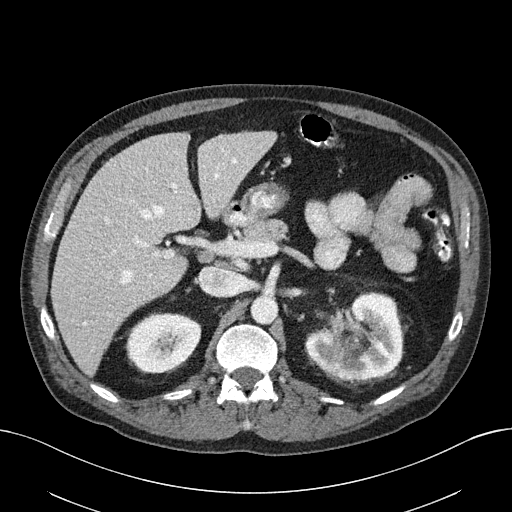
Axial slice 122 of 163 of a contrast-enhanced abdominal CT (slice 1 is the lowest), 100 kVp, kernel I40f; 3.00 mm slice thickness and 0.799 mm pixels.
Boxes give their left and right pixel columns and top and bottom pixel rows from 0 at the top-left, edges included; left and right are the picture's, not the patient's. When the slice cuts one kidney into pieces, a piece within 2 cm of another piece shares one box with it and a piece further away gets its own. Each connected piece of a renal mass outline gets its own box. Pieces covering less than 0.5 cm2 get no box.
Two boxes on this slice (two kidney boxes), listed by box centre from the image's left to its right. (1) Right kidney in the box with left 126, top 313, right 201, bottom 373 (outlined area 3,534 px, about 22.6 cm2). (2) Left kidney, the box with left 305, top 292, right 403, bottom 382 (outlined area 6,515 px, about 41.6 cm2). This slice carries no renal mass outline.